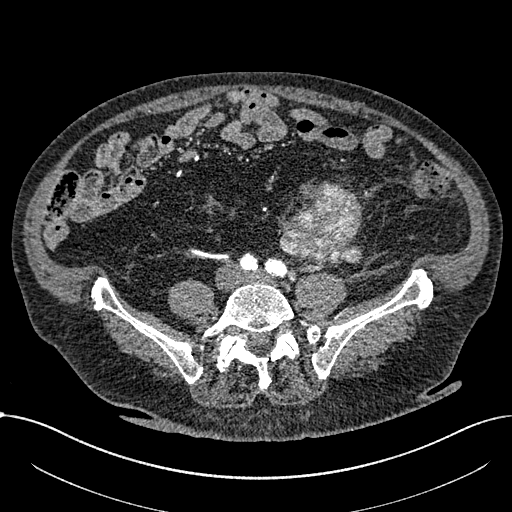
Axial slice 189 of 1059 of a contrast-enhanced abdominal CT in the arterial phase (slice 1 is the lowest), 100 kVp, kernel I30f; 1.00 mm slice thickness and 0.811 mm pixels.
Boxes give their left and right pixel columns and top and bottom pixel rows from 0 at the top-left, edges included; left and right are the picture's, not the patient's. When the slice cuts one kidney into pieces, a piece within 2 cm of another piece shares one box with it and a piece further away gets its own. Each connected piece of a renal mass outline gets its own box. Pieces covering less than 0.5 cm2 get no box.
Renal mass in the box with left 279, top 181, right 362, bottom 264 (outlined area 4,941 px, about 32.5 cm2); no kidney is outlined on this slice, but the same outlined renal mass comes within 1 cm of the kidney on another slice.